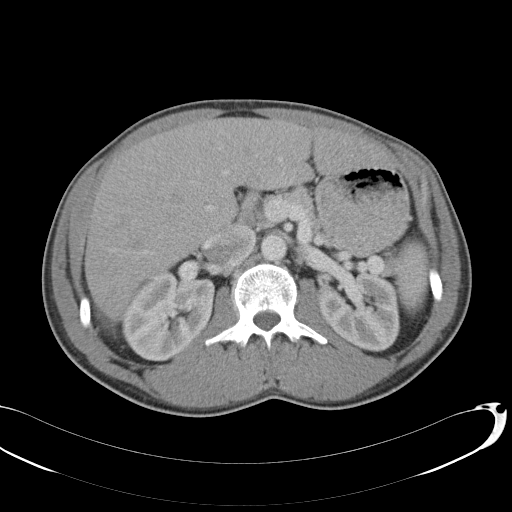
Abdominal CT with intravenous contrast, axial plane, 120 kVp, kernel B31f. Slice 69/146 from the bottom of the scan; thickness 5.00 mm; pixel size 0.742 mm.
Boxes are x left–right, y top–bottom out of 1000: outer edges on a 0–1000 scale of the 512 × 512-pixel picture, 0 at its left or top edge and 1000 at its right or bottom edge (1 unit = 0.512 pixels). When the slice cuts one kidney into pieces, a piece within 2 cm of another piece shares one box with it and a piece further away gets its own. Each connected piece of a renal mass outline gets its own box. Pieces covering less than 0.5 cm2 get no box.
Two boxes on this slice (two kidney boxes), listed by box centre from the image's left to its right. (1) Right kidney at x 236–422, y 527–707 out of 1000 (outlined area 6,396 px, about 35.2 cm2). (2) Box x 619–787, y 529–689 out of 1000: left kidney (outlined area 5,076 px, about 28.0 cm2). No renal mass outline on this slice.